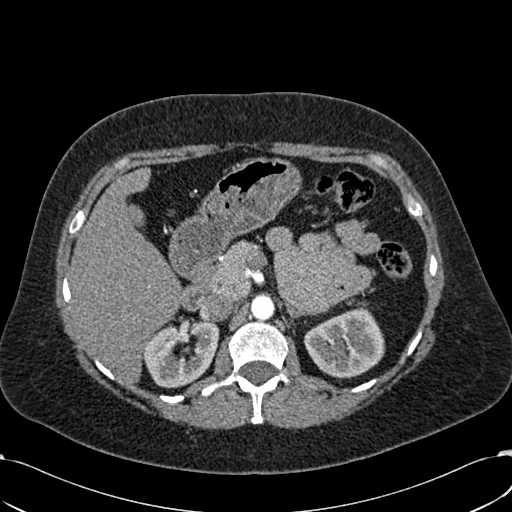
Arterial-phase contrast-enhanced abdominal CT, axial slice 410 of 532 (counted from the lowest slice); tube voltage 120 kVp, convolution kernel B30f; slices 1.00 mm thick, 0.713 mm per pixel.
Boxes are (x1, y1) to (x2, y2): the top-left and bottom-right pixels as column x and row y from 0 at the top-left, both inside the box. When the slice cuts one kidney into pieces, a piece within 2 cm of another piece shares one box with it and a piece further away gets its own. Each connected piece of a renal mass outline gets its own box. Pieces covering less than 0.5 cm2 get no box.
Two kidney boxes on this slice; by box centre, from the image's left to its right: (1) Right kidney, box (144, 320) to (219, 388) (outlined area 3,668 px, about 18.6 cm2). (2) Left kidney, box (303, 306) to (384, 378) (outlined area 4,167 px, about 21.2 cm2). No renal mass outline on this slice.